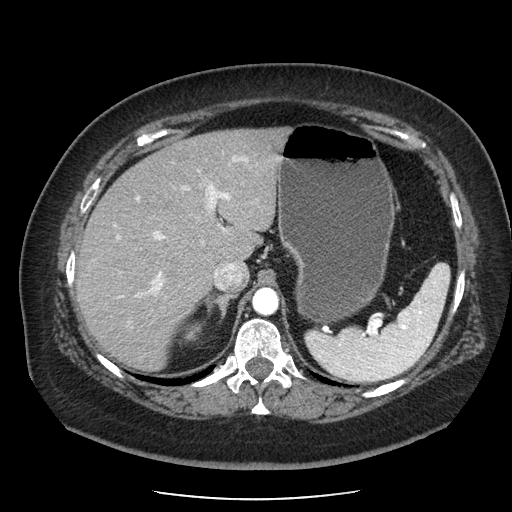
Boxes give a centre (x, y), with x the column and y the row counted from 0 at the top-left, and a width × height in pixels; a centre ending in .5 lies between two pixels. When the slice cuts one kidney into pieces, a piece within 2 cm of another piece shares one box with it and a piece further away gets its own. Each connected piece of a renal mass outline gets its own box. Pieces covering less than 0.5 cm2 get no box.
Arterial-phase contrast-enhanced abdominal CT, axial slice 150 of 186 (counted from the lowest slice); 2.50 mm thick, 0.742 mm per pixel. Box centre (193, 331.5), 19 × 22 pixels: right kidney (outlined area 303 px, about 1.7 cm2). No renal mass outline on this slice.
Tube voltage 120 kVp; convolution kernel STANDARD.